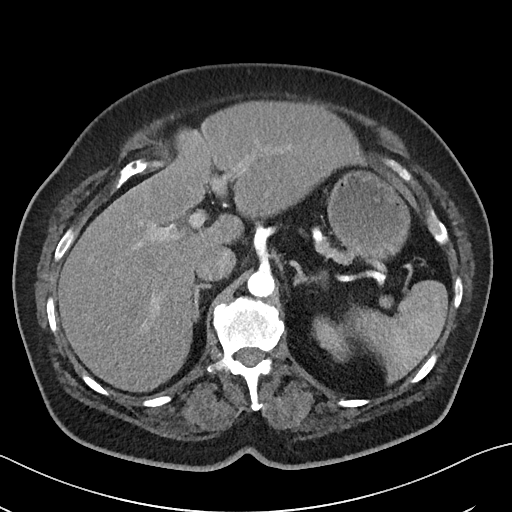
Axial slice 33 of 50 of a contrast-enhanced abdominal CT (slice 1 is the lowest), 100 kVp, kernel I40f; 5.00 mm slice thickness and 0.723 mm pixels.
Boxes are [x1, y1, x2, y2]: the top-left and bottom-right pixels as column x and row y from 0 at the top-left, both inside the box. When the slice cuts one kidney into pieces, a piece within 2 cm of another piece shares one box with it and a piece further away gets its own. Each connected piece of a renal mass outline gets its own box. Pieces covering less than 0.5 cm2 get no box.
Left kidney, box [313, 318, 351, 361] (outlined area 1,012 px, about 5.3 cm2). No renal mass outline on this slice.